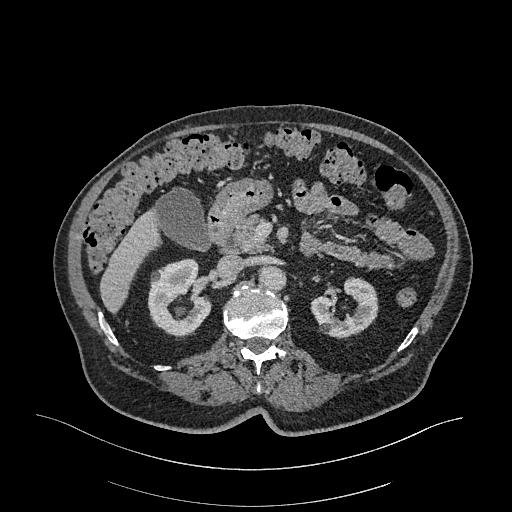
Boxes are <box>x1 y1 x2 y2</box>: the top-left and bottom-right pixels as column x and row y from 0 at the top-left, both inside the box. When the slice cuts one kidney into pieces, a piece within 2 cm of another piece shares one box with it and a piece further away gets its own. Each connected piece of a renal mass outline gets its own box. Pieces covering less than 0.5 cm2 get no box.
Arterial-phase contrast-enhanced abdominal CT, axial slice 194 of 470 (counted from the lowest slice); 1.00 mm thick, 0.938 mm per pixel. Two boxes on this slice (two kidney boxes), listed by box centre from the image's left to its right. (1) Right kidney: <box>148 258 212 336</box> (outlined area 3,610 px, about 31.7 cm2). (2) At <box>310 277 378 338</box>: left kidney (outlined area 2,635 px, about 23.2 cm2). No renal mass outline on this slice.
Tube voltage 120 kVp; convolution kernel I26f.